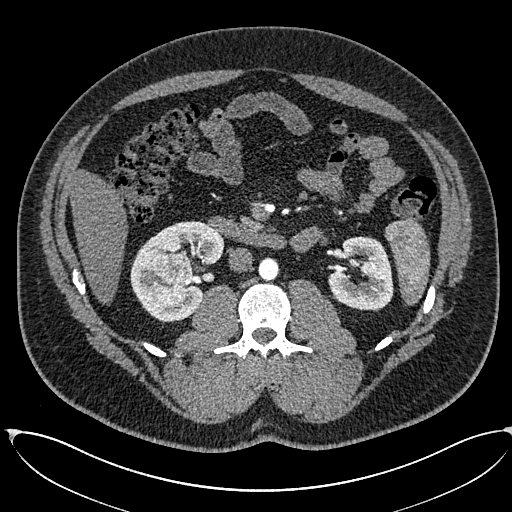
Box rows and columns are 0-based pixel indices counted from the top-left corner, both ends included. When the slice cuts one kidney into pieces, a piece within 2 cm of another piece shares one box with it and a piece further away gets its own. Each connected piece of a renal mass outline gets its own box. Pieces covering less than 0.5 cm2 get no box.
Slice 326/673 of a contrast-enhanced abdominal CT in the arterial phase, counting up from the lowest; pixel size 0.855 mm, slice thickness 1.00 mm. Two kidney boxes and one renal mass box on this slice; by box centre, from the image's left to its right: (1) Box rows 252–307, columns 152–193: right renal mass (outlined area 1,810 px, about 13.2 cm2). (2) Right kidney at rows 220–321, columns 130–224 (outlined area 4,879 px, about 35.7 cm2). (3) Box rows 236–310, columns 327–393: left kidney (outlined area 3,590 px, about 26.3 cm2).
Tube voltage 120 kVp; convolution kernel I30f.